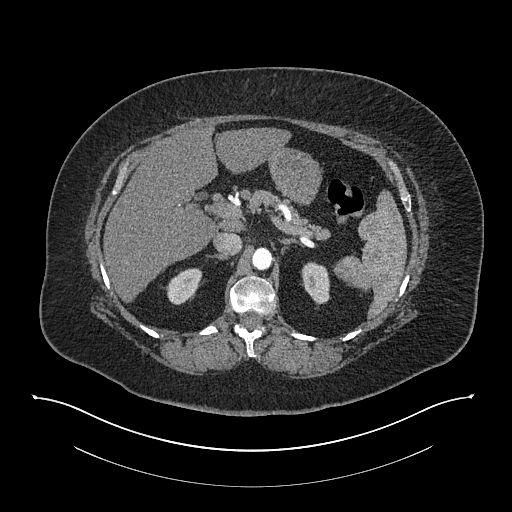
Arterial-phase contrast-enhanced abdominal CT, axial slice 561 of 673 (counted from the lowest slice); tube voltage 140 kVp, convolution kernel I30f; slices 1.00 mm thick, 0.957 mm per pixel.
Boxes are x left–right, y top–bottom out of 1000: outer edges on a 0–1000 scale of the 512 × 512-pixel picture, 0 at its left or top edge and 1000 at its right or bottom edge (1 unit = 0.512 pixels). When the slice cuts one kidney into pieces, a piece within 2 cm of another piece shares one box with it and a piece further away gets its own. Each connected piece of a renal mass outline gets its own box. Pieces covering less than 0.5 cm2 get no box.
Two boxes on this slice (two kidney boxes), listed by box centre from the image's left to its right. (1) Box x 322–396, y 523–596 out of 1000: right kidney (outlined area 954 px, about 8.7 cm2). (2) Left kidney at x 588–646, y 512–596 out of 1000 (outlined area 959 px, about 8.8 cm2). No renal mass is outlined on this slice.